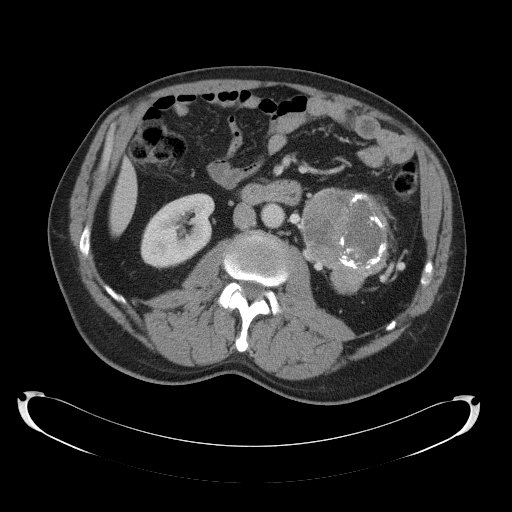
Axial slice 64 of 145 of a contrast-enhanced abdominal CT (slice 1 is the lowest), 120 kVp, kernel B41f; 5.00 mm slice thickness and 0.859 mm pixels.
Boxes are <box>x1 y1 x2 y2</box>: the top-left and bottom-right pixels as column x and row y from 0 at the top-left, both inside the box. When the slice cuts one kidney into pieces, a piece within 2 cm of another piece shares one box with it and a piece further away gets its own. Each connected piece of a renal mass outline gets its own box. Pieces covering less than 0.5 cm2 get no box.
Two boxes on this slice (one kidney box and one renal mass box), listed by box centre from the image's left to its right. (1) Right kidney at <box>140 193 214 269</box> (outlined area 4,116 px, about 30.4 cm2). (2) At <box>300 187 390 294</box>: left renal mass (outlined area 7,175 px, about 53.0 cm2); on this slice it lies more than 1 cm from any kidney outline, but the same outlined renal mass comes within 1 cm of the kidney on another slice.